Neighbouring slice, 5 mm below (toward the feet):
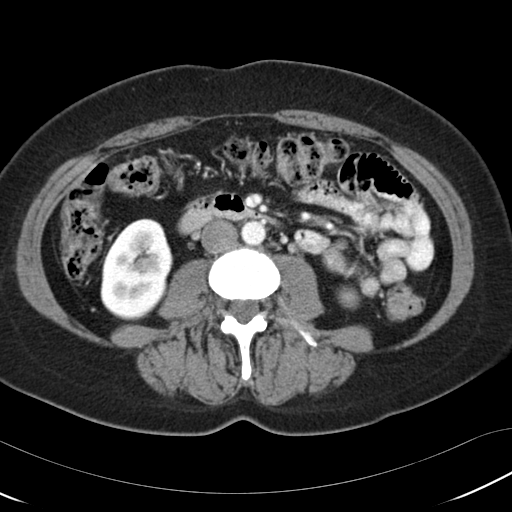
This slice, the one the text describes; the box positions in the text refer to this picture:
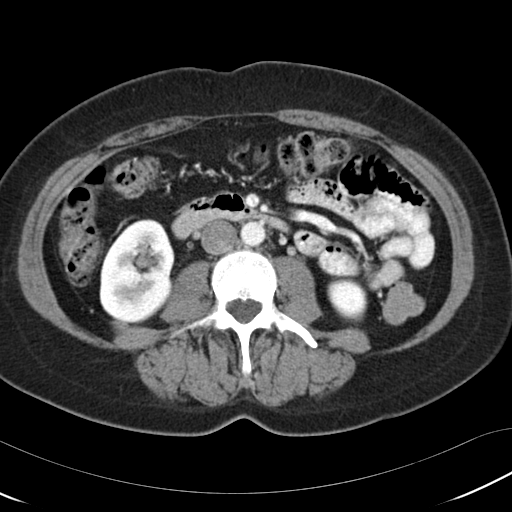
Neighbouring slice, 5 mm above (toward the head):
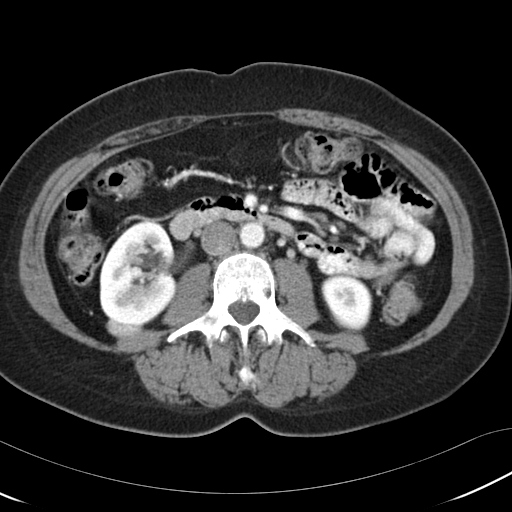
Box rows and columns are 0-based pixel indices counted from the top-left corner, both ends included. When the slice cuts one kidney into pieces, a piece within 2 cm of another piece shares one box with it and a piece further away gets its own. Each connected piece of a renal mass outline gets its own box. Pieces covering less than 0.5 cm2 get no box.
Contrast-enhanced abdominal CT, axial slice 57 of 97 (counted from the lowest slice); 5.00 mm thick, 0.664 mm per pixel. Three boxes on this slice (two kidney boxes and one renal mass box), listed by box centre from the image's left to its right. (1) Right renal mass, box rows 318–333, columns 111–129 (outlined area 205 px, about 0.9 cm2). (2) Box rows 219–322, columns 99–174: right kidney (outlined area 5,992 px, about 26.4 cm2). (3) Left kidney at rows 277–322, columns 327–367 (outlined area 1,403 px, about 6.2 cm2). This slice lies near the end of the right renal mass toward the feet; the slices 5 mm below and 5 mm above it are shown too, and the boxes mark positions on this slice only.
Scan settings: 120 kVp, B30f reconstruction kernel.